Axial slice 64 of 470 of a contrast-enhanced abdominal CT in the arterial phase (slice 1 is the lowest), 120 kVp, kernel I26f; 1.00 mm slice thickness and 0.938 mm pixels.
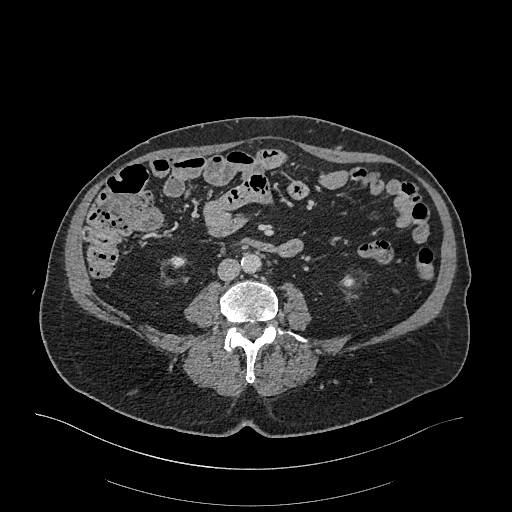
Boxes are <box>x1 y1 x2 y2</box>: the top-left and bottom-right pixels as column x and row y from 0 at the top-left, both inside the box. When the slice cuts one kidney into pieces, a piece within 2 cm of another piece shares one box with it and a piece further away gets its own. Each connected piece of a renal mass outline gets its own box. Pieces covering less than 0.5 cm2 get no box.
Two kidney boxes on this slice; by box centre, from the image's left to its right: (1) Right kidney: <box>170 256 185 268</box> (outlined area 139 px, about 1.2 cm2). (2) Left kidney at <box>342 278 359 289</box> (outlined area 122 px, about 1.1 cm2). No renal mass outline on this slice.